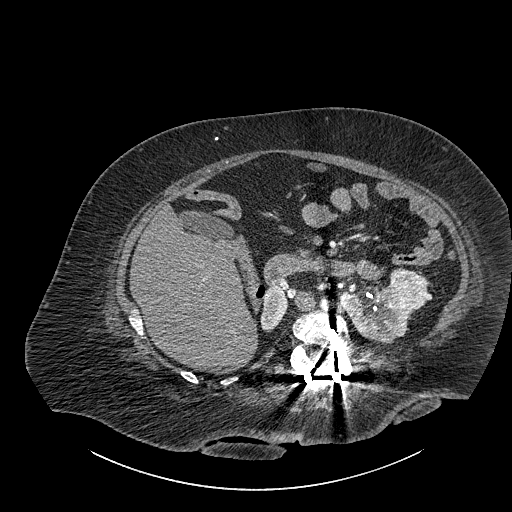
Axial slice 546 of 834 of a contrast-enhanced abdominal CT (slice 1 is the lowest), 140 kVp, kernel I30f; 1.00 mm slice thickness and 0.977 mm pixels.
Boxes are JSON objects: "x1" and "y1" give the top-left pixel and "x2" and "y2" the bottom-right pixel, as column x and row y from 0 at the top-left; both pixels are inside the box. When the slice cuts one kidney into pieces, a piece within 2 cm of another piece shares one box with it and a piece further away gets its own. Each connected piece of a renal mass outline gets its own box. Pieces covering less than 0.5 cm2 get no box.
Boxed on this slice (two kidney boxes and one renal mass box), listed by box centre from the image's left to its right: (1) Right part of the midline-crossing kidney, box {"x1": 260, "y1": 285, "x2": 288, "y2": 332} (outlined area 942 px, about 9.0 cm2). (2) Left part of the midline-crossing kidney at {"x1": 342, "y1": 283, "x2": 411, "y2": 343} (outlined area 2,603 px, about 24.8 cm2). (3) Renal mass at {"x1": 390, "y1": 267, "x2": 427, "y2": 309} (outlined area 1,275 px, about 12.2 cm2).